Axial slice 65 of 91 of a contrast-enhanced abdominal CT (slice 1 is the lowest), 120 kVp, kernel B41f; 5.00 mm slice thickness and 0.762 mm pixels.
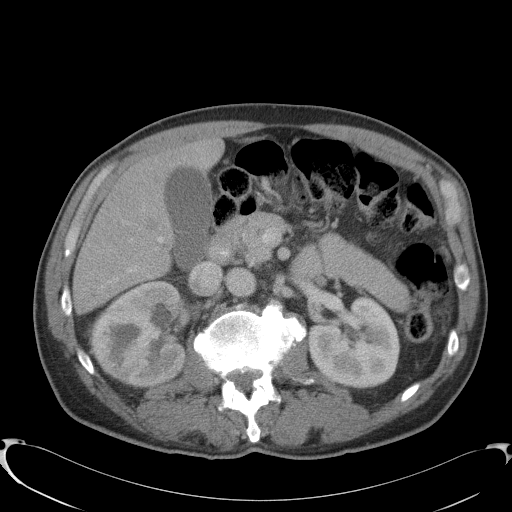
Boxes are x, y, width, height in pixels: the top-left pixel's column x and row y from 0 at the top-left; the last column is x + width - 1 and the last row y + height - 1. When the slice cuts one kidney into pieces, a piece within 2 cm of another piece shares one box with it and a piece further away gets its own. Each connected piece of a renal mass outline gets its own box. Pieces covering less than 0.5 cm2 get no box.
Two kidney boxes and one renal mass box on this slice; by box centre, from the image's left to its right: (1) Right renal mass at x 90, y 314, width 71, height 73 (outlined area 3,586 px, about 20.8 cm2). (2) Right kidney at x 86, y 280, width 100, height 108 (outlined area 4,547 px, about 26.4 cm2). (3) Box x 309, y 296, width 91, height 93: left kidney (outlined area 6,475 px, about 37.6 cm2).